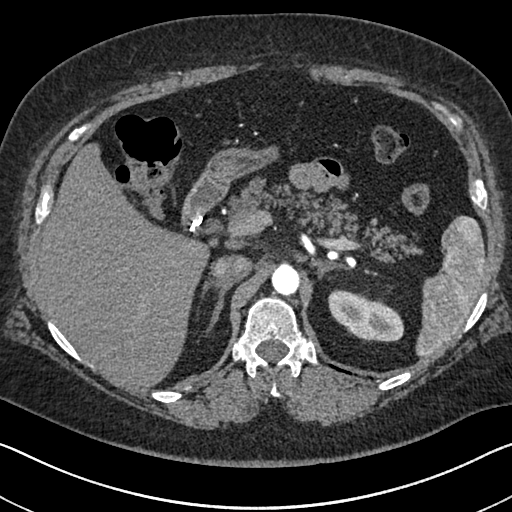
Arterial-phase contrast-enhanced abdominal CT, axial slice 491 of 591 (counted from the lowest slice); tube voltage 140 kVp, convolution kernel I30f; slices 1.00 mm thick, 0.703 mm per pixel.
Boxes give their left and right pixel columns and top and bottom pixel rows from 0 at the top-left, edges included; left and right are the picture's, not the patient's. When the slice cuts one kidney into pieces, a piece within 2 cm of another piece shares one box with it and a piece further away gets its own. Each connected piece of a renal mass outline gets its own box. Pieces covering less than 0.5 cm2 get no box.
Left kidney, the box with left 328, top 289, right 403, bottom 342 (outlined area 2,765 px, about 13.7 cm2). This slice carries no renal mass outline.